Contrast-enhanced abdominal CT, axial slice 61 of 109 (counted from the lowest slice); tube voltage 120 kVp, convolution kernel I30f; slices 3.00 mm thick, 0.742 mm per pixel.
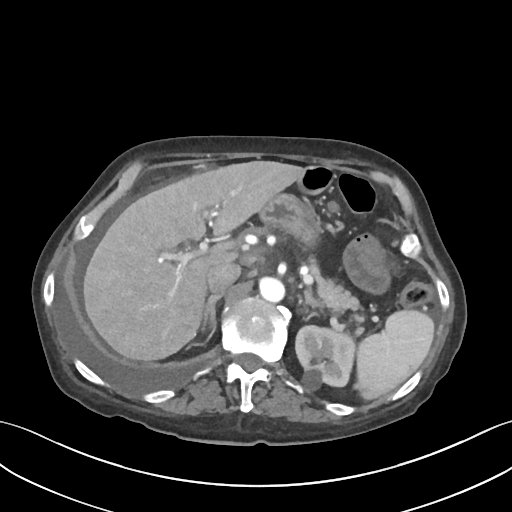
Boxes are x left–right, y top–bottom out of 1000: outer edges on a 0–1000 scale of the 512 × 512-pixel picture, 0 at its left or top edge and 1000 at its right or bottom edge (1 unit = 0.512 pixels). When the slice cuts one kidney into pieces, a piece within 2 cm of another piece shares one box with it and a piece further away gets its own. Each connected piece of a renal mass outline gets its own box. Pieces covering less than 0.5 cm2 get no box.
Left kidney at x 574–695, y 633–764 out of 1000 (outlined area 3,289 px, about 18.1 cm2). No renal mass is outlined on this slice.